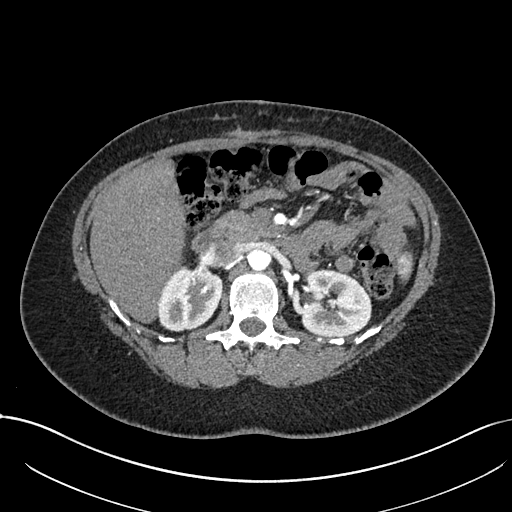
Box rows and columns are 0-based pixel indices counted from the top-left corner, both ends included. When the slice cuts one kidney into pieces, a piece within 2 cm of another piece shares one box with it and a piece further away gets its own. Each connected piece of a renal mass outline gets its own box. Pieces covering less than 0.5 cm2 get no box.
Arterial-phase contrast-enhanced abdominal CT, axial slice 456 of 738 (counted from the lowest slice); 1.00 mm thick, 0.789 mm per pixel. Two kidney boxes on this slice; by box centre, from the image's left to its right: (1) Box rows 265–331, columns 157–222: right kidney (outlined area 3,236 px, about 20.1 cm2). (2) Left kidney at rows 269–337, columns 300–371 (outlined area 3,984 px, about 24.8 cm2). No renal mass is outlined on this slice.
Acquired at 120 kVp and reconstructed with the I30f kernel.